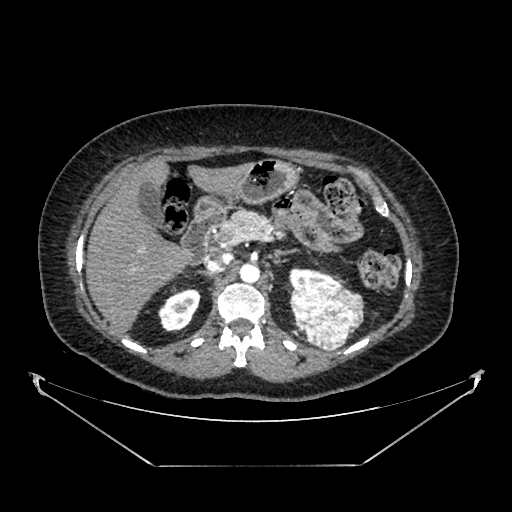
Axial slice 260 of 383 of a contrast-enhanced abdominal CT in the arterial phase (slice 1 is the lowest), 100 kVp, kernel SOFT; 1.25 mm slice thickness and 0.898 mm pixels.
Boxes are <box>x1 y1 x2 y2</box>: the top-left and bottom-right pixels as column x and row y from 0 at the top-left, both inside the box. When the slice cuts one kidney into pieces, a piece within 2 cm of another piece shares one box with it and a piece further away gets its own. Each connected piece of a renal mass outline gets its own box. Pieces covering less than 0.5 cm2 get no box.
Two kidney boxes and one renal mass box on this slice; by box centre, from the image's left to its right: (1) At <box>158 288 201 332</box>: right kidney (outlined area 1,337 px, about 10.8 cm2). (2) At <box>289 268 344 287</box>: left kidney (outlined area 588 px, about 4.7 cm2). (3) At <box>290 280 364 350</box>: left renal mass (outlined area 3,921 px, about 31.6 cm2).